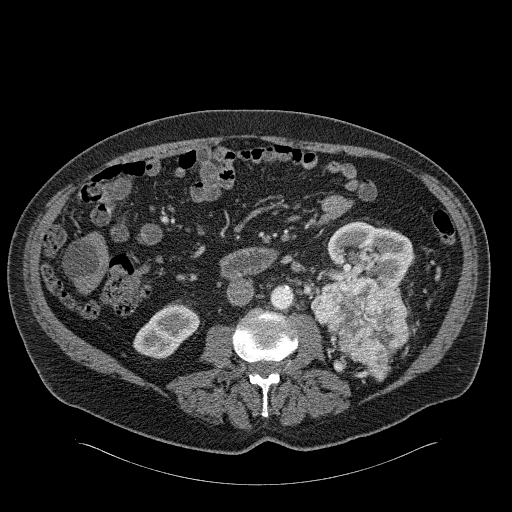
Arterial-phase contrast-enhanced abdominal CT, axial slice 97 of 326 (counted from the lowest slice); tube voltage 120 kVp, convolution kernel B31f; slices 2.00 mm thick, 0.963 mm per pixel.
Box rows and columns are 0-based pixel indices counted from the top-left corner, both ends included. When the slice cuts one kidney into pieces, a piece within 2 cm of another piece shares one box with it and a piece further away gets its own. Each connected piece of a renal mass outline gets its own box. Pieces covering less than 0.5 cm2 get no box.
Three boxes on this slice (two kidney boxes and one renal mass box), listed by box centre from the image's left to its right. (1) Right kidney, box rows 302–358, columns 133–200 (outlined area 2,413 px, about 22.4 cm2). (2) Box rows 277–380, columns 310–409: left renal mass (outlined area 6,414 px, about 59.5 cm2). (3) Left kidney at rows 221–300, columns 311–414 (outlined area 4,689 px, about 43.5 cm2).